Arterial-phase contrast-enhanced abdominal CT, axial slice 134 of 345 (counted from the lowest slice); tube voltage 120 kVp, convolution kernel I31f; slices 2.00 mm thick, 0.977 mm per pixel.
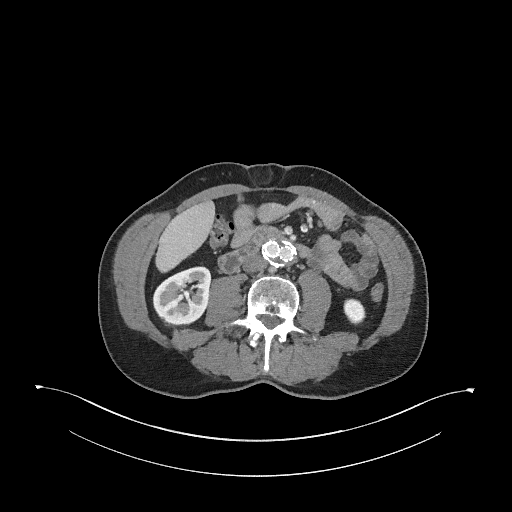
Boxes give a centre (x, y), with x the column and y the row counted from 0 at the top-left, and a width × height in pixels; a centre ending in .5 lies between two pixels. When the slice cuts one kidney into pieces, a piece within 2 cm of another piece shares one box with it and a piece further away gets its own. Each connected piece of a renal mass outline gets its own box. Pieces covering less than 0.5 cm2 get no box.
Two kidney boxes on this slice; by box centre, from the image's left to its right: (1) Right kidney in a box with centre (181.5, 296), 60 × 61 pixels (outlined area 2,706 px, about 25.8 cm2). (2) Left kidney, box centre (354, 311), 23 × 27 pixels (outlined area 472 px, about 4.5 cm2). No renal mass is outlined on this slice.